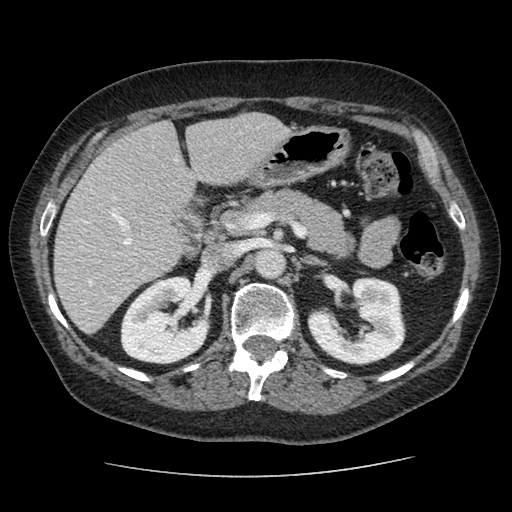
Abdominal CT with intravenous contrast, arterial phase, axial plane, 120 kVp, kernel STANDARD. Slice 59/96 from the bottom of the scan; thickness 2.50 mm; pixel size 0.689 mm.
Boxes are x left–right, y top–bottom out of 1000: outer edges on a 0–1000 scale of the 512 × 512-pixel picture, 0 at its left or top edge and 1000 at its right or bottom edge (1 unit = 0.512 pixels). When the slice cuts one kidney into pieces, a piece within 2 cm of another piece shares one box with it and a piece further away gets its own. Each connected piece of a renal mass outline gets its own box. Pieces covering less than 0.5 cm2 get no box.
Boxed on this slice (two kidney boxes), listed by box centre from the image's left to its right: (1) Box x 234–412, y 537–713 out of 1000: right kidney (outlined area 5,993 px, about 28.5 cm2). (2) Box x 600–793, y 541–715 out of 1000: left kidney (outlined area 5,932 px, about 28.2 cm2). This slice carries no renal mass outline.